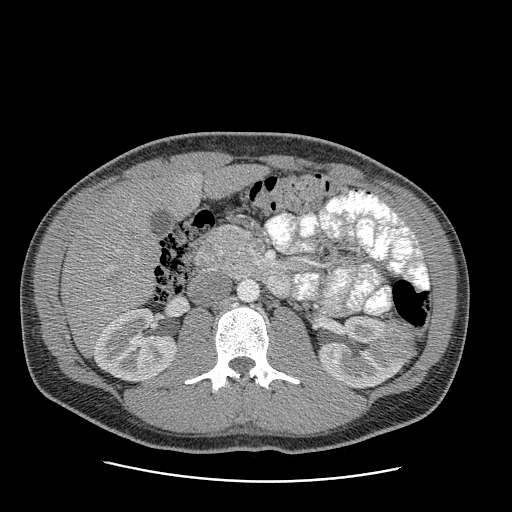
Abdominal CT with intravenous contrast, arterial phase, axial plane, 120 kVp, kernel STANDARD. Slice 147/199 from the bottom of the scan; thickness 2.50 mm; pixel size 0.789 mm.
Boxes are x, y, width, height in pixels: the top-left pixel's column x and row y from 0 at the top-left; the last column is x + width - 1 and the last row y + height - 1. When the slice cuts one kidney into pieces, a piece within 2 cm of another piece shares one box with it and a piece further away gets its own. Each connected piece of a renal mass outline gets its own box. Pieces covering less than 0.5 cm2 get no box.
Boxed on this slice (two kidney boxes and one renal mass box), listed by box centre from the image's left to its right: (1) Right kidney, box x 94, y 308, width 82, height 74 (outlined area 4,466 px, about 27.8 cm2). (2) Left kidney at x 319, y 315, width 83, height 75 (outlined area 3,752 px, about 23.4 cm2). (3) Left renal mass, box x 377, y 319, width 38, height 48 (outlined area 1,415 px, about 8.8 cm2).